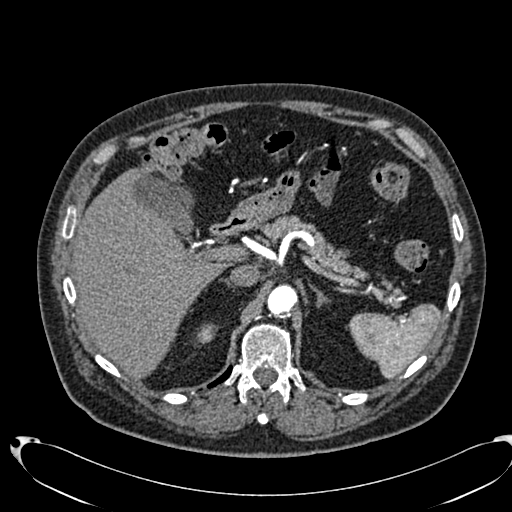
One axial slice (499 of 553, counting up from the lowest) of an arterial-phase abdominal CT acquired with 120 kVp, kernel B20f; each pixel is 0.773 mm and the slice is 1.00 mm thick.
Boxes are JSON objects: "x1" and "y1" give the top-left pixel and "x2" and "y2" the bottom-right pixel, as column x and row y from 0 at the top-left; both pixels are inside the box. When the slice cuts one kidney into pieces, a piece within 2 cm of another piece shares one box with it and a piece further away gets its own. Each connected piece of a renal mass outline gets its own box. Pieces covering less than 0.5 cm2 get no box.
Box {"x1": 196, "y1": 323, "x2": 218, "y2": 343}: right kidney (outlined area 305 px, about 1.8 cm2). No renal mass is outlined on this slice.